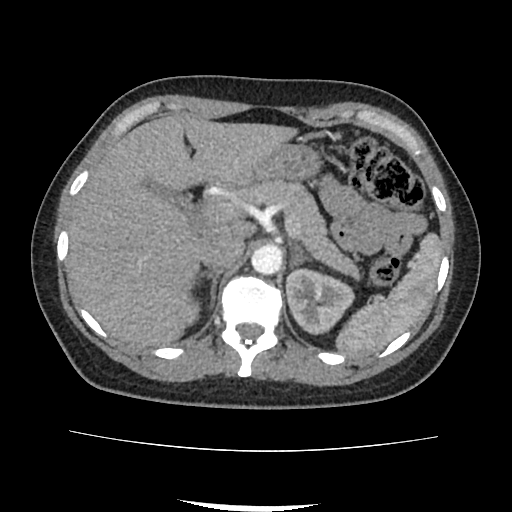
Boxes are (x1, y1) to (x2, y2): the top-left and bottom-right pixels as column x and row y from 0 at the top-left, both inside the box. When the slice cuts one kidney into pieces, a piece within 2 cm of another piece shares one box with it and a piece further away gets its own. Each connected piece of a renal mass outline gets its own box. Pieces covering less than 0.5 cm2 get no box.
Slice 70/103 of a contrast-enhanced abdominal CT, counting up from the lowest; pixel size 0.714 mm, slice thickness 3.00 mm. Two kidney boxes on this slice; by box centre, from the image's left to its right: (1) Right kidney, box (177, 293) to (201, 328) (outlined area 551 px, about 2.8 cm2). (2) Left kidney, box (284, 268) to (355, 335) (outlined area 3,396 px, about 17.3 cm2). No renal mass is outlined on this slice.
Scan settings: 120 kVp, FC18 reconstruction kernel.